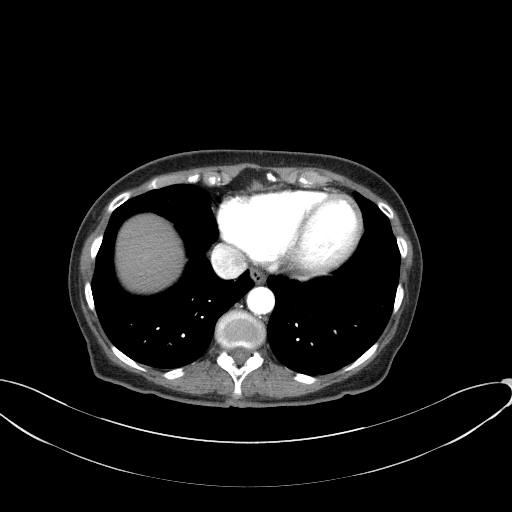
One axial slice (68 of 77, counting up from the lowest) of an arterial-phase abdominal CT acquired with 100 kVp, kernel B41f; each pixel is 0.809 mm and the slice is 3.00 mm thick.
This slice carries no outline: it lies beyond the outlined kidneys and beyond every outlined renal mass. Other organs are not outlined in this scan.